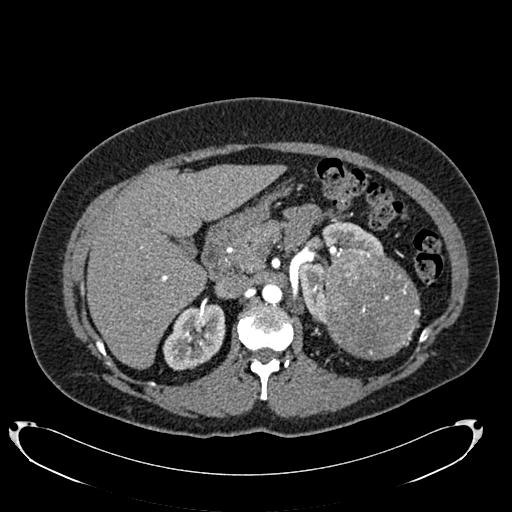
Abdominal CT with intravenous contrast, arterial phase, axial plane, 120 kVp, kernel B20f. Slice 479/634 from the bottom of the scan; thickness 1.00 mm; pixel size 0.838 mm.
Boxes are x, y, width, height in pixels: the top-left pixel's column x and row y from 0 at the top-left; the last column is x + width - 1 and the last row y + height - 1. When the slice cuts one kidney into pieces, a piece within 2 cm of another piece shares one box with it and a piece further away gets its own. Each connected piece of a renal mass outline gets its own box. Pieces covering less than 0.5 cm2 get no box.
Two kidney boxes and one renal mass box on this slice; by box centre, from the image's left to its right: (1) Right kidney, box x 162, y 304, width 64, height 67 (outlined area 3,074 px, about 21.6 cm2). (2) Left kidney, box x 299, y 222, width 87, height 103 (outlined area 3,377 px, about 23.7 cm2). (3) Left renal mass at x 325, y 254, width 96, height 107 (outlined area 8,272 px, about 58.1 cm2).